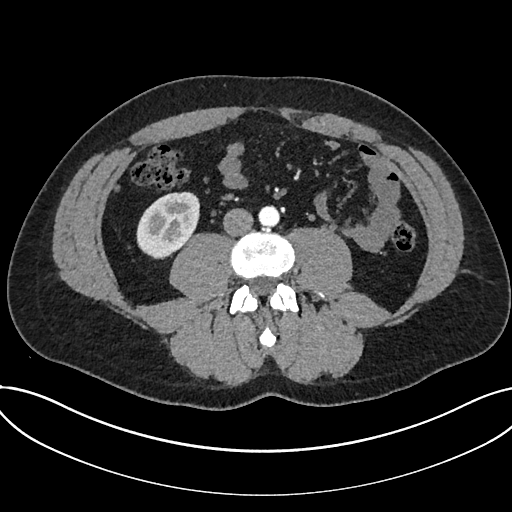
Abdominal CT with intravenous contrast, arterial phase, axial plane, 120 kVp, kernel I30f. Slice 297/735 from the bottom of the scan; thickness 1.00 mm; pixel size 0.789 mm.
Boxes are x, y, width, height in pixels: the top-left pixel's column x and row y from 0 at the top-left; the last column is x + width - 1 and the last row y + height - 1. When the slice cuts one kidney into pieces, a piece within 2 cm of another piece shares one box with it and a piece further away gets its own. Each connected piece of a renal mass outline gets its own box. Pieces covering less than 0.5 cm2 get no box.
Kidney, box x 136, y 191, width 64, height 69 (outlined area 3,160 px, about 19.7 cm2). This slice carries no renal mass outline.